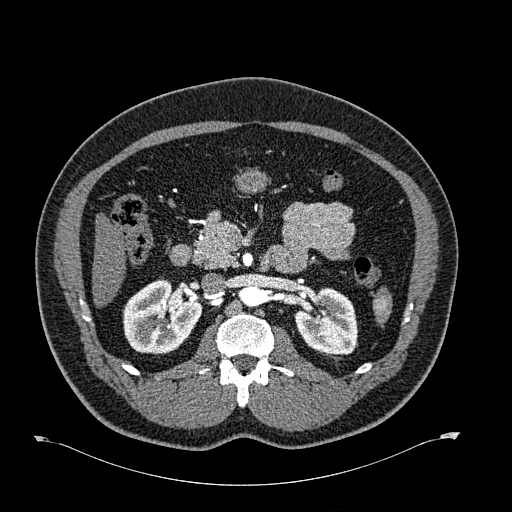
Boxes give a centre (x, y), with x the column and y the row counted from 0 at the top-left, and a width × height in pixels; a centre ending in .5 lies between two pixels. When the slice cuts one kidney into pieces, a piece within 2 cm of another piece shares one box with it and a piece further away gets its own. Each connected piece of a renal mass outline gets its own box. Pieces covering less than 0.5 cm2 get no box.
This is axial slice 391 of 723 (slice 1 is the lowest) of an arterial-phase abdominal CT with contrast; each pixel is 0.895 mm and the slice is 1.00 mm thick. Two boxes on this slice (two kidney boxes), listed by box centre from the image's left to its right. (1) Right kidney, box centre (162, 316.5), 79 × 76 pixels (outlined area 4,369 px, about 35.0 cm2). (2) Box centre (326, 320.5), 65 × 68 pixels: left kidney (outlined area 3,226 px, about 25.8 cm2). No renal mass outline on this slice.
Tube voltage 120 kVp; convolution kernel B30f.